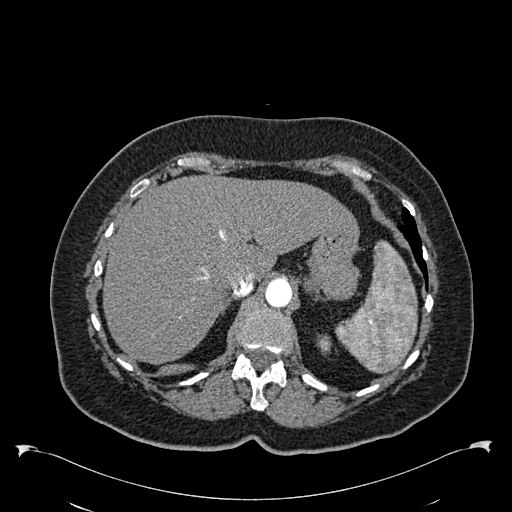
Axial slice 453 of 538 of a contrast-enhanced abdominal CT in the arterial phase (slice 1 is the lowest), 120 kVp, kernel B30f; 1.00 mm slice thickness and 0.811 mm pixels.
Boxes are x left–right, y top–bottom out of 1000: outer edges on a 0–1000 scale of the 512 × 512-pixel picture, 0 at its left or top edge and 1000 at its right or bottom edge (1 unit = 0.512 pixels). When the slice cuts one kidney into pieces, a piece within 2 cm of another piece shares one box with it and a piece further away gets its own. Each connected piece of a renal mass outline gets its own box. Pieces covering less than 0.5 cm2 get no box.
Left kidney, box x 619–648, y 652–695 out of 1000 (outlined area 230 px, about 1.5 cm2). No renal mass outline on this slice.